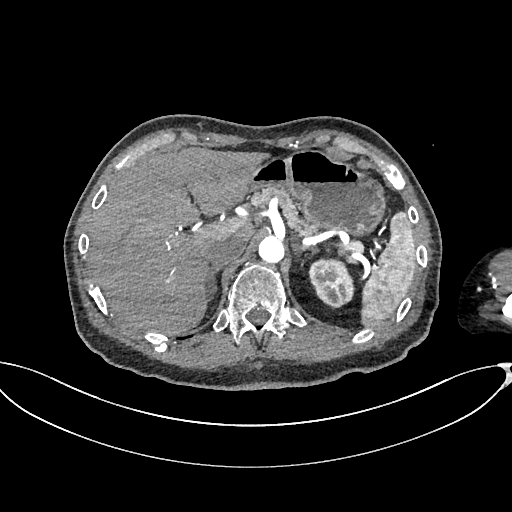
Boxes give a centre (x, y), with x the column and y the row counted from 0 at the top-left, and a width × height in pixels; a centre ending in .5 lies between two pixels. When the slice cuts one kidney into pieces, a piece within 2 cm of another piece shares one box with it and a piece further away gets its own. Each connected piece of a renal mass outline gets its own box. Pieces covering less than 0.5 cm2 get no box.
Arterial-phase contrast-enhanced abdominal CT, axial slice 500 of 665 (counted from the lowest slice); 1.00 mm thick, 0.828 mm per pixel. Left kidney in a box with centre (331.5, 282.5), 48 × 52 pixels (outlined area 1,768 px, about 12.1 cm2). This slice carries no renal mass outline.
Acquired at 100 kVp and reconstructed with the I26f kernel.